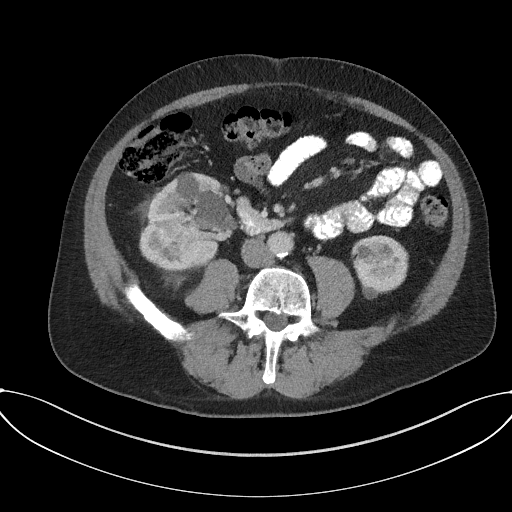
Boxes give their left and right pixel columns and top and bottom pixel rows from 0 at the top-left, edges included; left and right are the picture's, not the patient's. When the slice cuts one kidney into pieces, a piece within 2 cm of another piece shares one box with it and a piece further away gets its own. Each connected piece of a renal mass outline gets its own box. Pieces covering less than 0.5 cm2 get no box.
Slice 76/227 of a contrast-enhanced abdominal CT in the arterial phase, counting up from the lowest; pixel size 0.816 mm, slice thickness 3.00 mm. Boxed on this slice (two kidney boxes and one renal mass box), listed by box centre from the image's left to its right: (1) Right renal mass, the box with left 153, top 208, right 201, bottom 268 (outlined area 2,097 px, about 14.0 cm2). (2) Right kidney, the box with left 139, top 172, right 238, bottom 270 (outlined area 4,669 px, about 31.1 cm2). (3) Left kidney in the box with left 351, top 235, right 408, bottom 299 (outlined area 2,778 px, about 18.5 cm2).
Tube voltage 120 kVp; convolution kernel I31f.